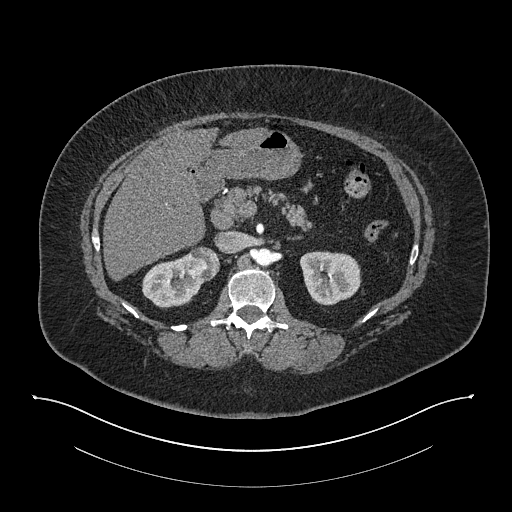
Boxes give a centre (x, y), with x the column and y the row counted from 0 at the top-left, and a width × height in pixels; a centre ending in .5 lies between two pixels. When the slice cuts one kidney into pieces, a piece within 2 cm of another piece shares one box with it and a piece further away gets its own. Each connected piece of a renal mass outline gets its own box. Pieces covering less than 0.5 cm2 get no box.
Arterial-phase contrast-enhanced abdominal CT, axial slice 519 of 673 (counted from the lowest slice); 1.00 mm thick, 0.957 mm per pixel. Boxed on this slice (two kidney boxes and one renal mass box), listed by box centre from the image's left to its right: (1) Right kidney in a box with centre (173, 281), 63 × 55 pixels (outlined area 2,151 px, about 19.7 cm2). (2) Box centre (203, 263.5), 33 × 36 pixels: right renal mass (outlined area 945 px, about 8.7 cm2). (3) Left kidney in a box with centre (330, 278), 63 × 55 pixels (outlined area 2,654 px, about 24.3 cm2).
Acquired at 140 kVp and reconstructed with the I30f kernel.